One axial slice (207 of 314, counting up from the lowest) of a contrast-enhanced abdominal CT acquired with 130 kVp, kernel B31s; each pixel is 0.934 mm and the slice is 2.50 mm thick.
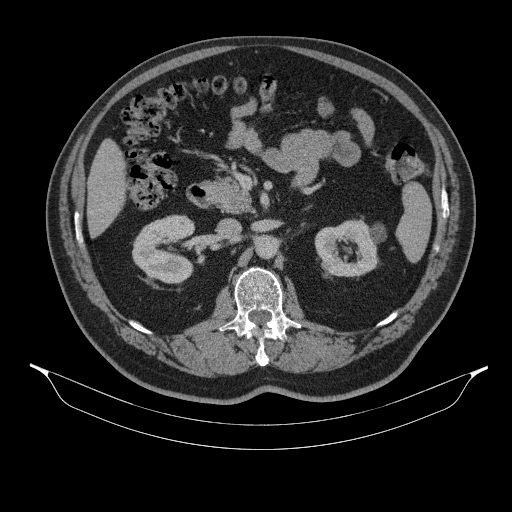
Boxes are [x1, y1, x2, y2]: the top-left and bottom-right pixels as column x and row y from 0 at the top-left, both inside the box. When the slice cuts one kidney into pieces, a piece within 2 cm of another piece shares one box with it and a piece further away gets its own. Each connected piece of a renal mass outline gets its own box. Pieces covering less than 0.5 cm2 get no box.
Boxed on this slice (two kidney boxes), listed by box centre from the image's left to its right: (1) Right kidney at [132, 214, 195, 283] (outlined area 3,293 px, about 28.7 cm2). (2) Left kidney, box [314, 219, 386, 276] (outlined area 2,996 px, about 26.1 cm2).